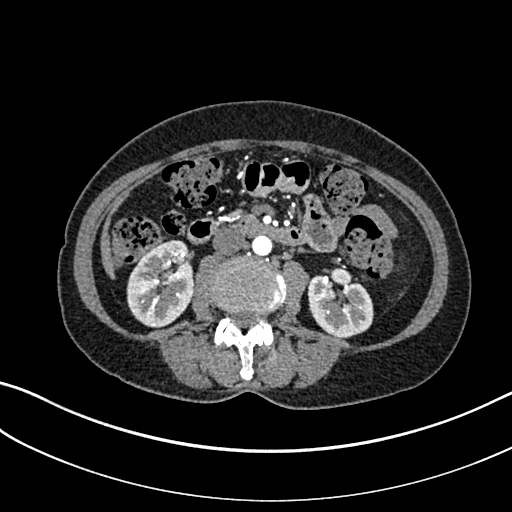
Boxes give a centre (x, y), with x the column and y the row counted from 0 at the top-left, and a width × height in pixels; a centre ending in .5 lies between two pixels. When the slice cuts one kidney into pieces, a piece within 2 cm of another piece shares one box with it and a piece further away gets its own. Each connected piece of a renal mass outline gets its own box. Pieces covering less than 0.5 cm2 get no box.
Slice 127/325 of a contrast-enhanced abdominal CT in the arterial phase, counting up from the lowest; pixel size 0.703 mm, slice thickness 1.00 mm. Two boxes on this slice (two kidney boxes), listed by box centre from the image's left to its right. (1) Right kidney in a box with centre (160, 283), 69 × 89 pixels (outlined area 4,570 px, about 22.6 cm2). (2) Left kidney in a box with centre (340, 302), 67 × 71 pixels (outlined area 3,471 px, about 17.2 cm2). No renal mass is outlined on this slice.
Acquired at 100 kVp and reconstructed with the I30f kernel.